One axial slice (371 of 553, counting up from the lowest) of an arterial-phase abdominal CT acquired with 120 kVp, kernel B20f; each pixel is 0.773 mm and the slice is 1.00 mm thick.
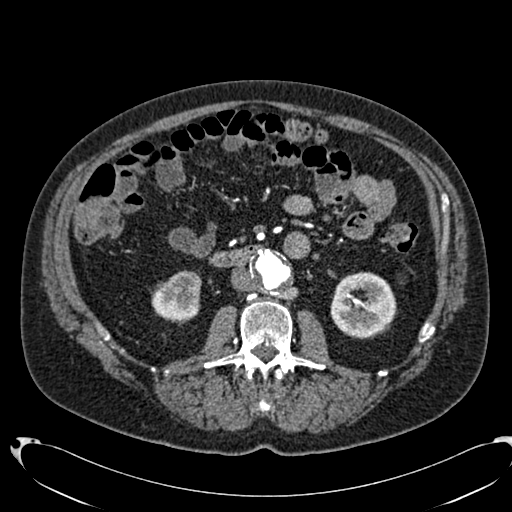
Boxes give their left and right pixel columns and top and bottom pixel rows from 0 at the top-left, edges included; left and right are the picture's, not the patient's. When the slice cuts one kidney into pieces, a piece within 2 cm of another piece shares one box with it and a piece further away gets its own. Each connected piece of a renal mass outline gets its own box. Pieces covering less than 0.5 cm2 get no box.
Boxed on this slice (two kidney boxes), listed by box centre from the image's left to its right: (1) Box with left 151, top 270, right 201, bottom 322: right kidney (outlined area 2,000 px, about 12.0 cm2). (2) Box with left 330, top 271, right 396, bottom 339: left kidney (outlined area 3,465 px, about 20.7 cm2).